Axial slice 453 of 512 of a contrast-enhanced abdominal CT in the arterial phase (slice 1 is the lowest), 120 kVp, kernel B30f; 1.00 mm slice thickness and 0.771 mm pixels.
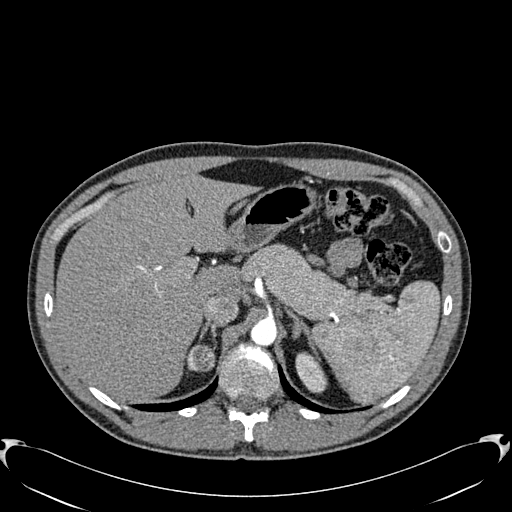
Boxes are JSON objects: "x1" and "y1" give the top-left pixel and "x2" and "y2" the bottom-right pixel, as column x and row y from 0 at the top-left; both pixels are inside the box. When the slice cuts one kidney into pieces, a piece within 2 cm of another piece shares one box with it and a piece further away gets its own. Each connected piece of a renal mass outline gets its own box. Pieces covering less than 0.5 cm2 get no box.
Two kidney boxes and one renal mass box on this slice; by box centre, from the image's left to its right: (1) Right kidney, box {"x1": 187, "y1": 344, "x2": 200, "y2": 371} (outlined area 163 px, about 1.0 cm2). (2) Right renal mass, box {"x1": 193, "y1": 345, "x2": 215, "y2": 371} (outlined area 496 px, about 3.0 cm2). (3) Left kidney at {"x1": 295, "y1": 351, "x2": 327, "y2": 393} (outlined area 937 px, about 5.6 cm2).